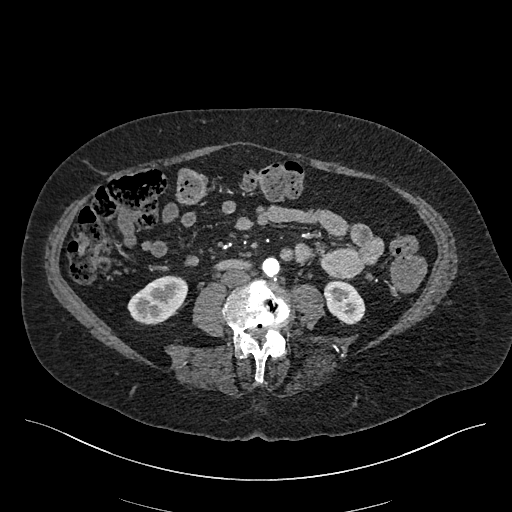
Abdominal CT with intravenous contrast, arterial phase, axial plane, 120 kVp, kernel I26f. Slice 168/548 from the bottom of the scan; thickness 1.00 mm; pixel size 0.852 mm.
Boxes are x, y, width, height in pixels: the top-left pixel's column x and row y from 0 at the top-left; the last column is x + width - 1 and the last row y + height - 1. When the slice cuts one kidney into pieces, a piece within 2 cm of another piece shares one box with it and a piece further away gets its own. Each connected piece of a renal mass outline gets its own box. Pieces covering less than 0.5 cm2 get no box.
Two kidney boxes on this slice; by box centre, from the image's left to its right: (1) Box x 127, y 275, width 61, height 50: right kidney (outlined area 2,089 px, about 15.1 cm2). (2) Box x 323, y 279, width 43, height 46: left kidney (outlined area 1,384 px, about 10.0 cm2). This slice carries no renal mass outline.